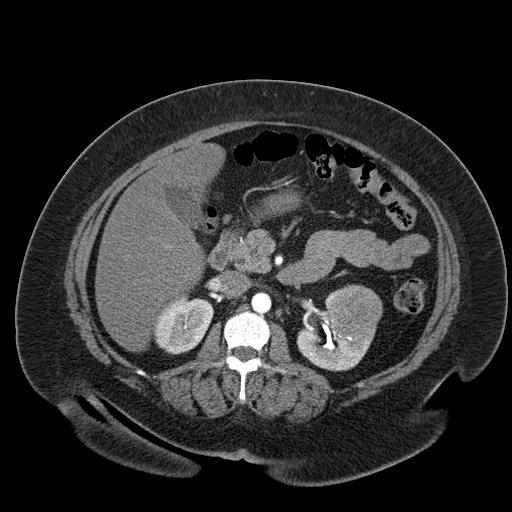
Contrast-enhanced abdominal CT, axial slice 36 of 55 (counted from the lowest slice); tube voltage 120 kVp, convolution kernel B30f; slices 5.00 mm thick, 0.908 mm per pixel.
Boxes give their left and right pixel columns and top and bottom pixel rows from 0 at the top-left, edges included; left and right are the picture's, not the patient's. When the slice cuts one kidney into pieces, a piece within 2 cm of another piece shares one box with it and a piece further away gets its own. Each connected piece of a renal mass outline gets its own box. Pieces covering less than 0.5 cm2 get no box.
Boxed on this slice (two kidney boxes and one renal mass box), listed by box centre from the image's left to its right: (1) Right kidney, the box with left 154, top 293, right 213, bottom 354 (outlined area 2,654 px, about 21.9 cm2). (2) Left kidney, the box with left 296, top 306, right 375, bottom 371 (outlined area 2,681 px, about 22.1 cm2). (3) Left renal mass, the box with left 324, top 284, right 382, bottom 338 (outlined area 2,468 px, about 20.4 cm2).